Contrast-enhanced abdominal CT, axial slice 30 of 38 (counted from the lowest slice); tube voltage 100 kVp, convolution kernel I30f; slices 5.00 mm thick, 0.730 mm per pixel.
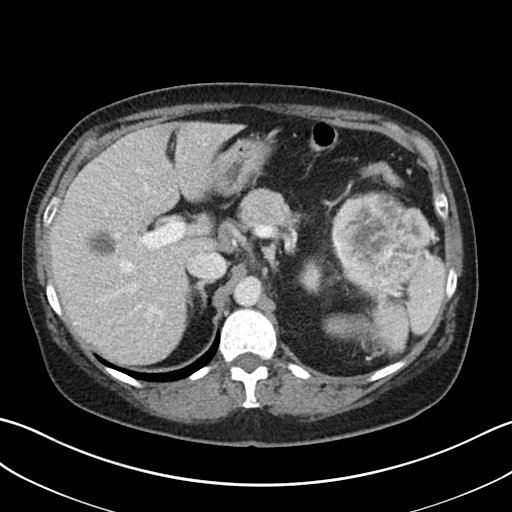
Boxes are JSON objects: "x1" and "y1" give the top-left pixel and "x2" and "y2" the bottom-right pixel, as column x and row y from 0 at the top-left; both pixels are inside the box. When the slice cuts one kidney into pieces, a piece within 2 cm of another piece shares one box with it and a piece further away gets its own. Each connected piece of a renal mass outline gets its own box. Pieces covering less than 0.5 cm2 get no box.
One kidney box and one renal mass box on this slice; by box centre, from the image's left to its right: (1) Left kidney, box {"x1": 298, "y1": 260, "x2": 319, "y2": 292} (outlined area 499 px, about 2.7 cm2). (2) Left renal mass, box {"x1": 332, "y1": 192, "x2": 431, "y2": 298} (outlined area 7,572 px, about 40.4 cm2); here it is more than 1 cm from any kidney outline, though on another slice the same outlined renal mass lies within 1 cm of the kidney.